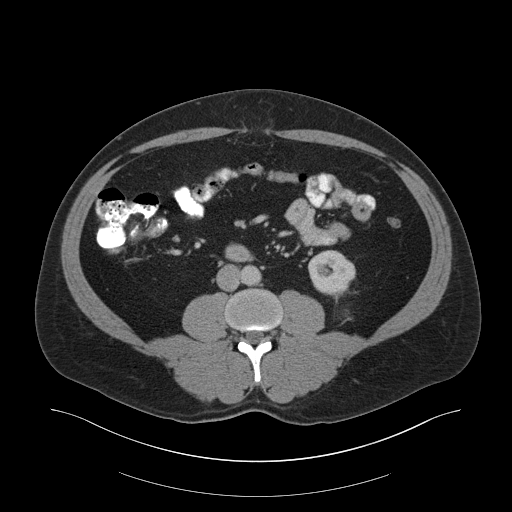
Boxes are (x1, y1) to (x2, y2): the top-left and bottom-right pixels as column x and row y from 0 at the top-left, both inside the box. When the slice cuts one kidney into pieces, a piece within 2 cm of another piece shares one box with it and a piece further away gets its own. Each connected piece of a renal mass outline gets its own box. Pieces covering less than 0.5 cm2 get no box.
This is axial slice 88 of 159 (slice 1 is the lowest) of an arterial-phase abdominal CT with contrast; each pixel is 0.977 mm and the slice is 3.00 mm thick. Left kidney, box (308, 250) to (355, 296) (outlined area 1,674 px, about 16.0 cm2).
Scan settings: 140 kVp, B30f reconstruction kernel.